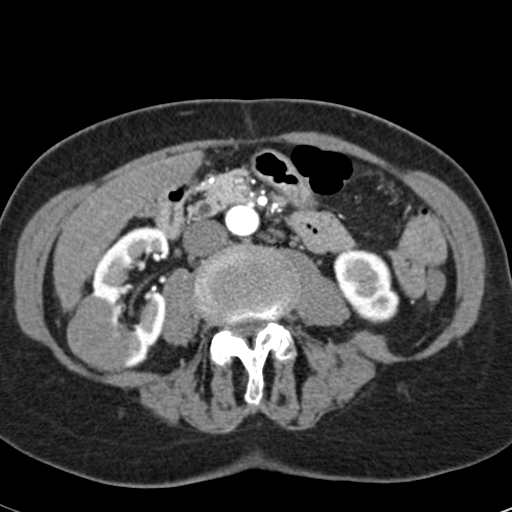
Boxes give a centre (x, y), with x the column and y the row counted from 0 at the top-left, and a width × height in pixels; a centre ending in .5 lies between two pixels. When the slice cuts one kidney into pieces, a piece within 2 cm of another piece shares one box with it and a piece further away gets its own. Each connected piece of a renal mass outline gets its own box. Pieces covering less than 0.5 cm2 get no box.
This is axial slice 20 of 53 (slice 1 is the lowest) of an arterial-phase abdominal CT with contrast; each pixel is 0.547 mm and the slice is 3.00 mm thick. Two kidney boxes and one renal mass box on this slice; by box centre, from the image's left to its right: (1) Box centre (104, 332.5), 75 × 78 pixels: right renal mass (outlined area 3,882 px, about 11.6 cm2). (2) Box centre (130, 297.5), 79 × 144 pixels: right kidney (outlined area 5,693 px, about 17.0 cm2). (3) Box centre (366, 285), 67 × 77 pixels: left kidney (outlined area 3,547 px, about 10.6 cm2).
Acquired at 120 kVp and reconstructed with the B30f kernel.